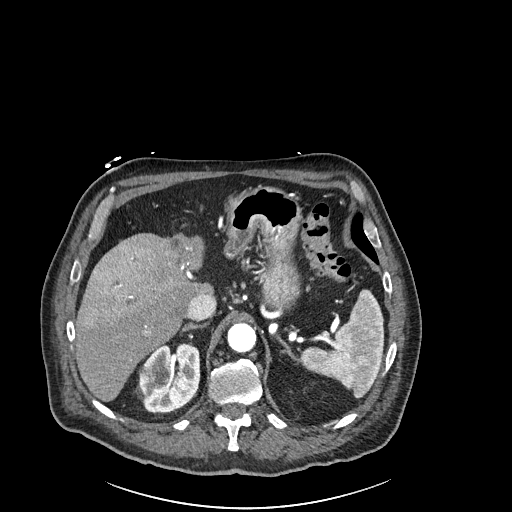
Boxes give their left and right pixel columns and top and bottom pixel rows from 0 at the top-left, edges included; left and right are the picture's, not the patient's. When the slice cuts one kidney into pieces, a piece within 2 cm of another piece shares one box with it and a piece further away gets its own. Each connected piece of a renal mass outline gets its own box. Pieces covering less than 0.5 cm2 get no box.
This is axial slice 174 of 261 (slice 1 is the lowest) of an arterial-phase abdominal CT with contrast; each pixel is 0.939 mm and the slice is 2.00 mm thick. Right kidney in the box with left 138, top 342, right 200, bottom 412 (outlined area 3,463 px, about 30.6 cm2). This slice carries no renal mass outline.
Acquired at 120 kVp and reconstructed with the I30f kernel.